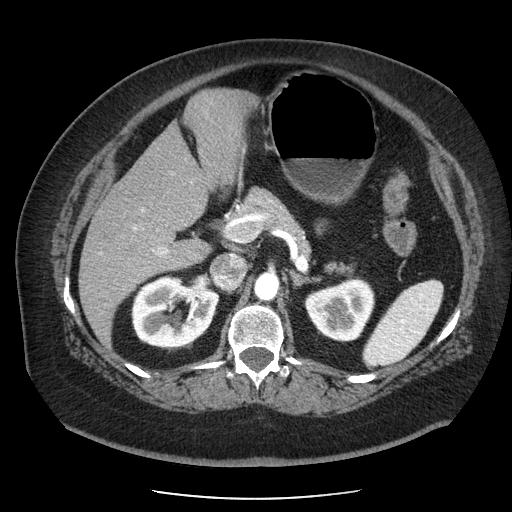
One axial slice (136 of 186, counting up from the lowest) of an arterial-phase abdominal CT acquired with 120 kVp, kernel STANDARD; each pixel is 0.742 mm and the slice is 2.50 mm thick.
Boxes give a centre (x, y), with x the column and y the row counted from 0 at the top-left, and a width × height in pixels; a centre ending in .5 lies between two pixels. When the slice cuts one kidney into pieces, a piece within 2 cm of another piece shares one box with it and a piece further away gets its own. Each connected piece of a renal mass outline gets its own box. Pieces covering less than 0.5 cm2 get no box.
Boxed on this slice (two kidney boxes), listed by box centre from the image's left to its right: (1) Right kidney in a box with centre (175, 311.5), 89 × 74 pixels (outlined area 4,932 px, about 27.2 cm2). (2) Box centre (338.5, 308.5), 70 × 64 pixels: left kidney (outlined area 3,241 px, about 17.9 cm2).